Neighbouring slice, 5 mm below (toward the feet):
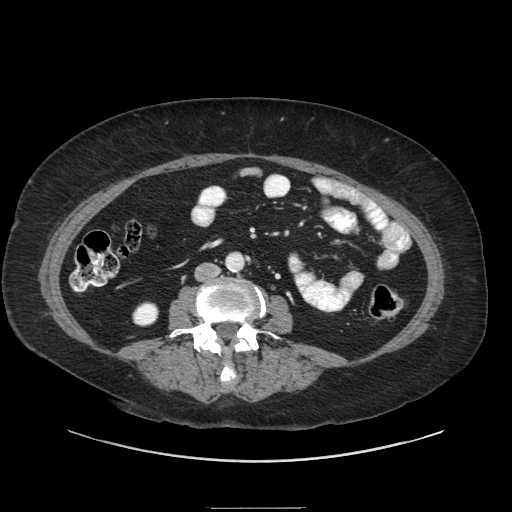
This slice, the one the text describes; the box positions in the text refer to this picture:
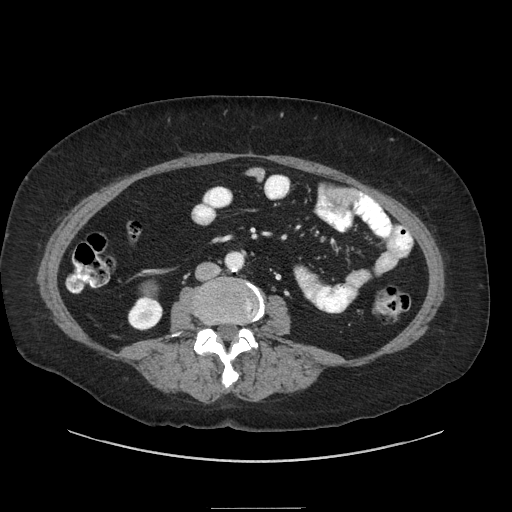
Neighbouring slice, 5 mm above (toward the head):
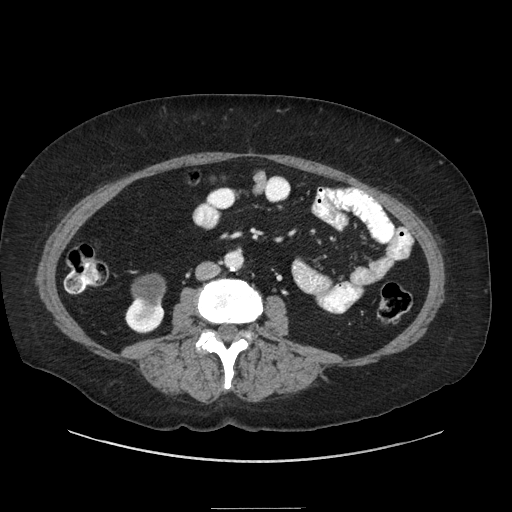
Contrast-enhanced abdominal CT, axial slice 102 of 186 (counted from the lowest slice); tube voltage 120 kVp, convolution kernel STANDARD; slices 2.50 mm thick, 0.850 mm per pixel.
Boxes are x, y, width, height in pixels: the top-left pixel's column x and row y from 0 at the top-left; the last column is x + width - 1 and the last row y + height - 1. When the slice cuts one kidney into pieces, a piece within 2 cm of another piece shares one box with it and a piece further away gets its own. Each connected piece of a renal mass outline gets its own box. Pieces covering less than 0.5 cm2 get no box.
Two boxes on this slice (one kidney box and one renal mass box), listed by box centre from the image's left to its right. (1) Box x 127, y 297, width 37, height 34: right kidney (outlined area 824 px, about 5.9 cm2). (2) Box x 140, y 280, width 19, height 25: right renal mass (outlined area 360 px, about 2.6 cm2). This slice is near the end of the right renal mass toward the feet, so the slices 5 mm below and 5 mm above it are shown as well; the boxes refer to this slice only.